Contrast-enhanced abdominal CT, axial slice 4 of 86 (counted from the lowest slice); tube voltage 140 kVp, convolution kernel I44f; slices 3.00 mm thick, 0.977 mm per pixel.
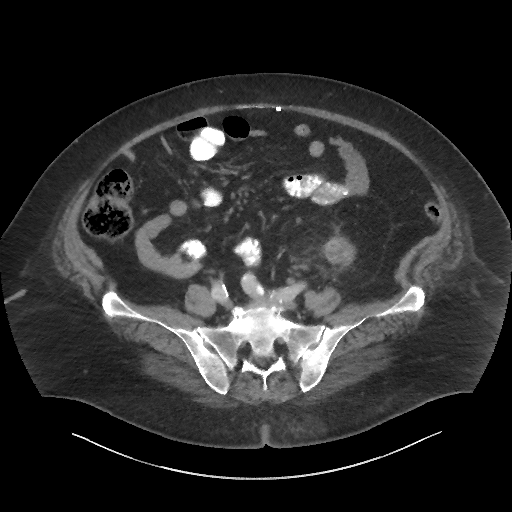
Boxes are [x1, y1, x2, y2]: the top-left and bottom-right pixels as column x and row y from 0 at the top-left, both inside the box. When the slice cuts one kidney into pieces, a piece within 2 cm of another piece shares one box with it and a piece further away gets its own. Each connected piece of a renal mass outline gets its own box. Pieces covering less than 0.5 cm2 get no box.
Left renal mass at [322, 236, 356, 264] (outlined area 785 px, about 7.5 cm2); no kidney is outlined on this slice, but the same outlined renal mass comes within 1 cm of the kidney on another slice.